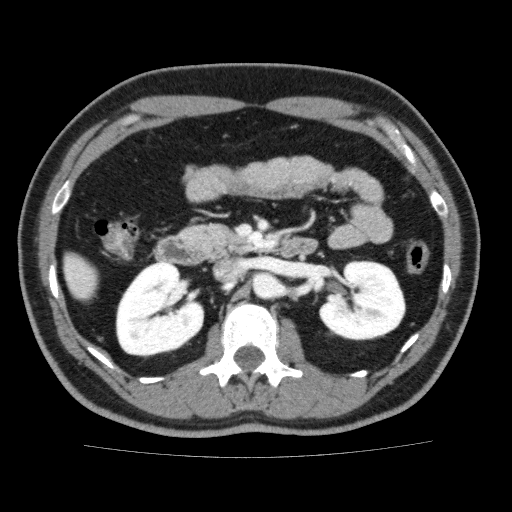
Axial slice 105 of 159 of a contrast-enhanced abdominal CT (slice 1 is the lowest), 120 kVp, kernel FC13; 3.00 mm slice thickness and 0.668 mm pixels.
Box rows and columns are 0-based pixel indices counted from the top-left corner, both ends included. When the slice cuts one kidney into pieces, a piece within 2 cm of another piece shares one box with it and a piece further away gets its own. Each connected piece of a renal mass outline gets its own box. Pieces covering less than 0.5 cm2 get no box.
Boxed on this slice (two kidney boxes), listed by box centre from the image's left to its right: (1) Box rows 262–358, columns 115–204: right kidney (outlined area 6,362 px, about 28.4 cm2). (2) Box rows 260–340, columns 319–406: left kidney (outlined area 5,384 px, about 24.0 cm2). This slice carries no renal mass outline.